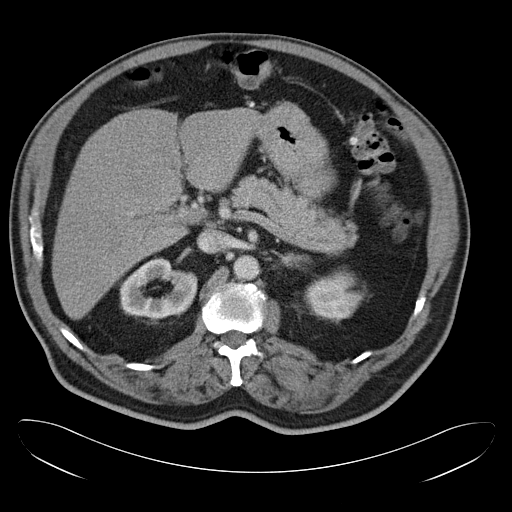
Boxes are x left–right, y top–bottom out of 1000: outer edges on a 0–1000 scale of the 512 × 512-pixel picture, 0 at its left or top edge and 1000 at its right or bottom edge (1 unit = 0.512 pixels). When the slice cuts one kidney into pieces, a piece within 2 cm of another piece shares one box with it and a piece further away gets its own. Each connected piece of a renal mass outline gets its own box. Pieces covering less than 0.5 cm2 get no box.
Slice 25/34 of a contrast-enhanced abdominal CT in the arterial phase, counting up from the lowest; pixel size 0.830 mm, slice thickness 5.00 mm. Two kidney boxes on this slice; by box centre, from the image's left to its right: (1) Right kidney at x 232–387, y 502–623 out of 1000 (outlined area 3,218 px, about 22.2 cm2). (2) Left kidney at x 596–715, y 533–625 out of 1000 (outlined area 2,036 px, about 14.0 cm2). No renal mass outline on this slice.
Scan settings: 120 kVp, B30f reconstruction kernel.